Axial slice 360 of 553 of a contrast-enhanced abdominal CT in the arterial phase (slice 1 is the lowest), 120 kVp, kernel B20f; 1.00 mm slice thickness and 0.773 mm pixels.
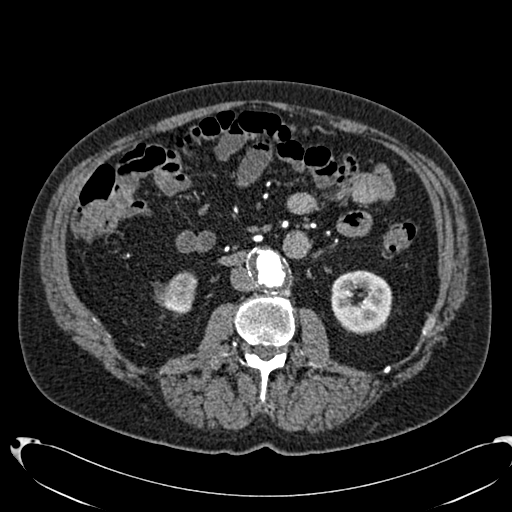
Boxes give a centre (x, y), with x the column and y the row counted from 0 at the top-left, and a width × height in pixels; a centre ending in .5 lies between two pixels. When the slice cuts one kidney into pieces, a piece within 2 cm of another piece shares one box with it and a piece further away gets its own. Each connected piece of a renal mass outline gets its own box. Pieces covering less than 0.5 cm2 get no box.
Two kidney boxes on this slice; by box centre, from the image's left to its right: (1) Right kidney in a box with centre (179, 292.5), 37 × 44 pixels (outlined area 1,157 px, about 6.9 cm2). (2) Left kidney in a box with centre (361.5, 301.5), 62 × 64 pixels (outlined area 3,045 px, about 18.2 cm2). This slice carries no renal mass outline.